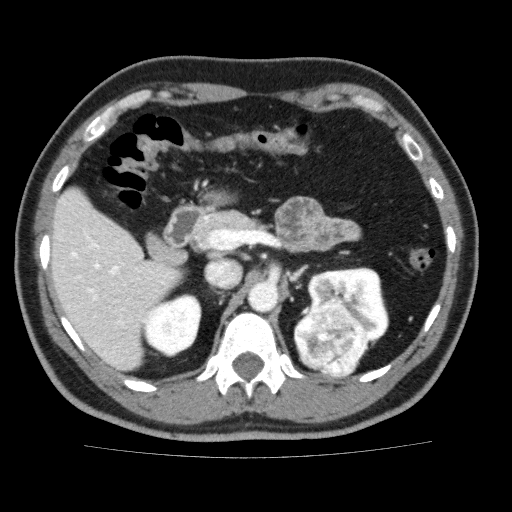
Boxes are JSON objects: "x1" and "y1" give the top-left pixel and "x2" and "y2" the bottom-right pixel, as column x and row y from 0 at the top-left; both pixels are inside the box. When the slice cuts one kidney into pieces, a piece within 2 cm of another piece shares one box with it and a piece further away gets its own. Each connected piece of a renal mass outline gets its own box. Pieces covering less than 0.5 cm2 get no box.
Slice 115/159 of a contrast-enhanced abdominal CT, counting up from the lowest; pixel size 0.668 mm, slice thickness 3.00 mm. Boxed on this slice (two kidney boxes and one renal mass box), listed by box centre from the image's left to its right: (1) Right kidney at {"x1": 142, "y1": 293, "x2": 201, "y2": 357} (outlined area 2,847 px, about 12.7 cm2). (2) Left renal mass, box {"x1": 293, "y1": 301, "x2": 365, "y2": 376} (outlined area 4,151 px, about 18.5 cm2). (3) Left kidney at {"x1": 307, "y1": 267, "x2": 389, "y2": 351} (outlined area 3,645 px, about 16.3 cm2).
Tube voltage 120 kVp; convolution kernel FC13.